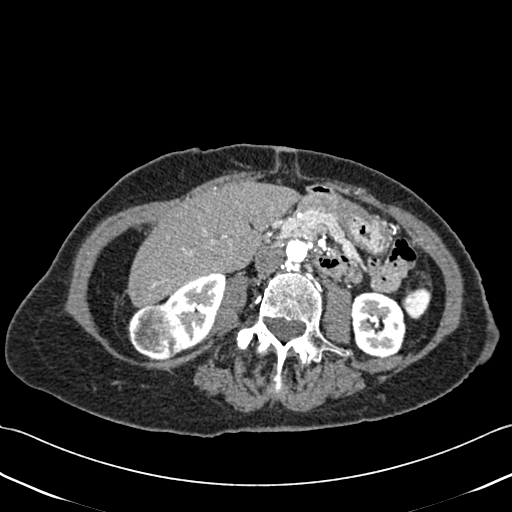
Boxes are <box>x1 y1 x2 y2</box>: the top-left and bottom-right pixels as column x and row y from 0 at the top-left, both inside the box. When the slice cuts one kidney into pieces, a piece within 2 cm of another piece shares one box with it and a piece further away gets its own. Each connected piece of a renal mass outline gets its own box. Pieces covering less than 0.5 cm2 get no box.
Contrast-enhanced abdominal CT, axial slice 201 of 433 (counted from the lowest slice); 1.00 mm thick, 0.672 mm per pixel. Boxed on this slice (two kidney boxes and one renal mass box), listed by box centre from the image's left to its right: (1) At <box>127 302 181 360</box>: right renal mass (outlined area 2,400 px, about 10.8 cm2). (2) Right kidney: <box>162 272 225 350</box> (outlined area 2,875 px, about 13.0 cm2). (3) Left kidney: <box>351 292 406 357</box> (outlined area 2,973 px, about 13.4 cm2).
Tube voltage 120 kVp; convolution kernel B30f.